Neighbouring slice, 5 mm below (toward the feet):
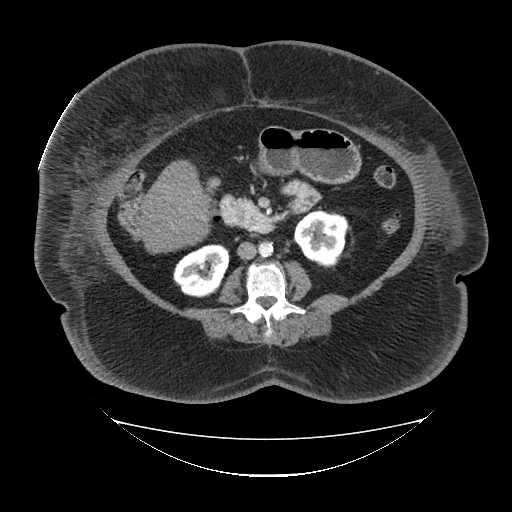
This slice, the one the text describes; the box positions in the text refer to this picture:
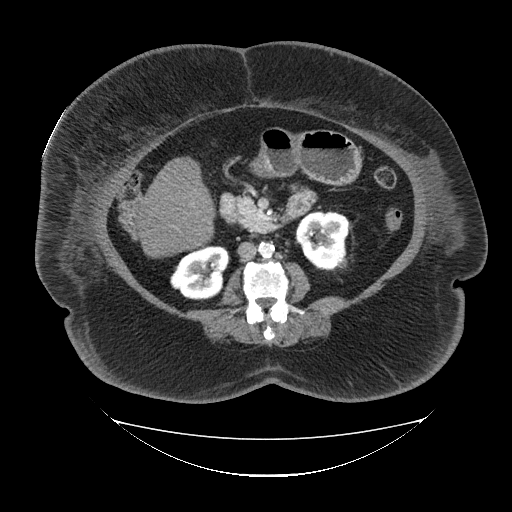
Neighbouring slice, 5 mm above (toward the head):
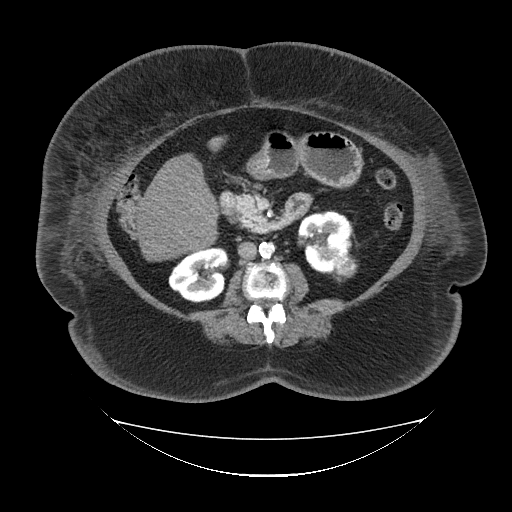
Abdominal CT with intravenous contrast, arterial phase, axial plane, 120 kVp, kernel FC19. Slice 53/85 from the bottom of the scan; thickness 5.00 mm; pixel size 1.041 mm.
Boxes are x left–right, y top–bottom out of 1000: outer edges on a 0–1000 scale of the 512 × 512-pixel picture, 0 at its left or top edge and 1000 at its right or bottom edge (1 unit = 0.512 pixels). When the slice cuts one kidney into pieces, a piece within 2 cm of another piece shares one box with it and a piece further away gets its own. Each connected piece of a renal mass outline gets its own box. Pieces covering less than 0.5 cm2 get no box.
Three boxes on this slice (two kidney boxes and one renal mass box), listed by box centre from the image's left to its right. (1) Right kidney at x 332–451, y 479–588 out of 1000 (outlined area 2,398 px, about 26.0 cm2). (2) Box x 578–684, y 412–529 out of 1000: left kidney (outlined area 2,451 px, about 26.6 cm2). (3) Box x 656–680, y 502–525 out of 1000: left renal mass (outlined area 116 px, about 1.3 cm2). This slice lies near the end of the left renal mass toward the feet; the slices 5 mm below and 5 mm above it are shown too, and the boxes mark positions on this slice only.